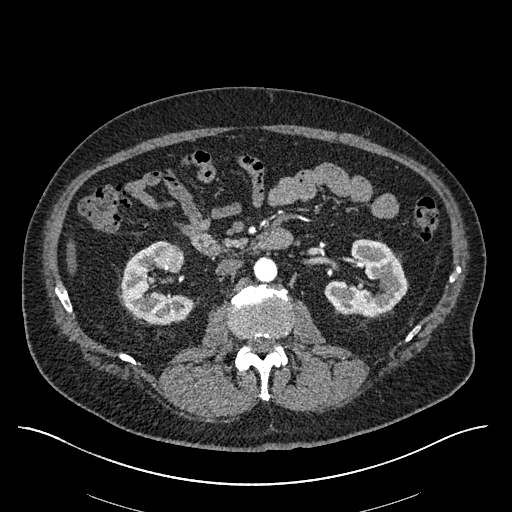
One axial slice (319 of 670, counting up from the lowest) of an arterial-phase abdominal CT acquired with 120 kVp, kernel I30f; each pixel is 0.861 mm and the slice is 1.00 mm thick.
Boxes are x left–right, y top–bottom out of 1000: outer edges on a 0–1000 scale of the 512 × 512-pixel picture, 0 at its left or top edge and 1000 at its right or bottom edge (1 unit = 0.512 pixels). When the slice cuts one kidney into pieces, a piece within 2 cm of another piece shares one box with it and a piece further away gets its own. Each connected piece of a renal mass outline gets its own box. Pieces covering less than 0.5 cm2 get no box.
Three boxes on this slice (two kidney boxes and one renal mass box), listed by box centre from the image's left to its right. (1) Right kidney, box x 236–381, y 471–637 out of 1000 (outlined area 3,464 px, about 25.7 cm2). (2) Box x 301–363, y 477–533 out of 1000: right renal mass (outlined area 680 px, about 5.0 cm2). (3) Box x 633–797, y 467–619 out of 1000: left kidney (outlined area 4,103 px, about 30.4 cm2).